One axial slice (182 of 1059, counting up from the lowest) of an arterial-phase abdominal CT acquired with 100 kVp, kernel I30f; each pixel is 0.811 mm and the slice is 1.00 mm thick.
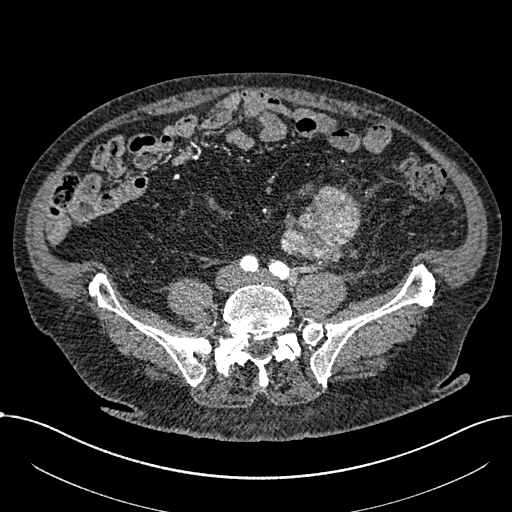
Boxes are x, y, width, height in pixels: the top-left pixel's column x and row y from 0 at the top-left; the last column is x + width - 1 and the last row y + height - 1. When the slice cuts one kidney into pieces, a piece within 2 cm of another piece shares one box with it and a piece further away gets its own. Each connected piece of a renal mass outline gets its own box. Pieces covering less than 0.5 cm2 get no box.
Renal mass at x 280, y 186, width 82, height 77 (outlined area 4,176 px, about 27.4 cm2); no kidney outline appears on this slice, but the same outlined renal mass comes within 1 cm of the kidney on another slice.